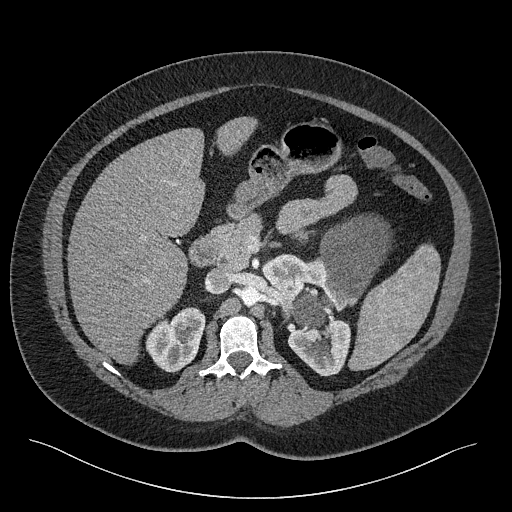
Abdominal CT with intravenous contrast, axial plane, 120 kVp, kernel I40f. Slice 156/301 from the bottom of the scan; thickness 2.00 mm; pixel size 0.859 mm.
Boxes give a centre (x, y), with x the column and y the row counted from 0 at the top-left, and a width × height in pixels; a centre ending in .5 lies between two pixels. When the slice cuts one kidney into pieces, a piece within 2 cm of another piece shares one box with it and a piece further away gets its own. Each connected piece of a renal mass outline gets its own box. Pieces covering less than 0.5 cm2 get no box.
Two kidney boxes and two renal mass boxes on this slice; by box centre, from the image's left to its right: (1) Box centre (175, 339.5), 61 × 66 pixels: right kidney (outlined area 2,735 px, about 20.2 cm2). (2) Left kidney in a box with centre (305.5, 314.5), 90 × 124 pixels (outlined area 4,912 px, about 36.3 cm2). (3) Left renal mass, box centre (311, 307), 45 × 41 pixels (outlined area 1,263 px, about 9.3 cm2). (4) Left renal mass, box centre (355, 259.5), 73 × 94 pixels (outlined area 4,609 px, about 34.0 cm2).